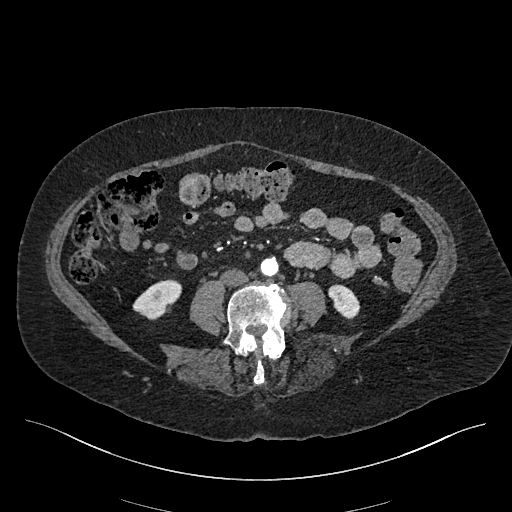
Abdominal CT with intravenous contrast, arterial phase, axial plane, 120 kVp, kernel I26f. Slice 156/548 from the bottom of the scan; thickness 1.00 mm; pixel size 0.852 mm.
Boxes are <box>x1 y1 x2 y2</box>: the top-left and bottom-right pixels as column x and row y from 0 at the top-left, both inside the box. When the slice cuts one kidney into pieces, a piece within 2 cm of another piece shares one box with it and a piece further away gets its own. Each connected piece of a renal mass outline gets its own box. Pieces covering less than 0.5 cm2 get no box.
Two boxes on this slice (two kidney boxes), listed by box centre from the image's left to its right. (1) At <box>132 279 181 319</box>: right kidney (outlined area 1,269 px, about 9.2 cm2). (2) At <box>328 284 360 319</box>: left kidney (outlined area 767 px, about 5.6 cm2). No renal mass outline on this slice.